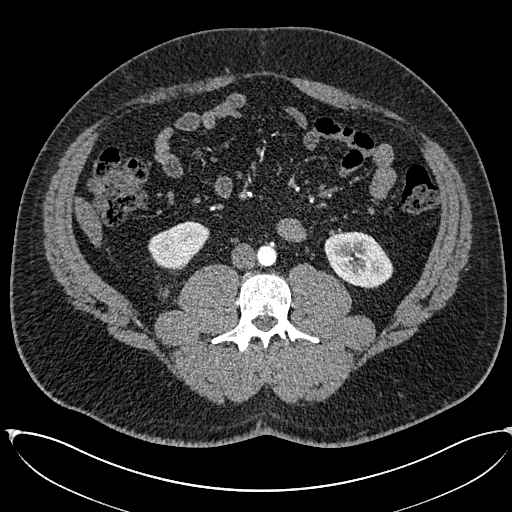
One axial slice (259 of 673, counting up from the lowest) of an arterial-phase abdominal CT acquired with 120 kVp, kernel I30f; each pixel is 0.855 mm and the slice is 1.00 mm thick.
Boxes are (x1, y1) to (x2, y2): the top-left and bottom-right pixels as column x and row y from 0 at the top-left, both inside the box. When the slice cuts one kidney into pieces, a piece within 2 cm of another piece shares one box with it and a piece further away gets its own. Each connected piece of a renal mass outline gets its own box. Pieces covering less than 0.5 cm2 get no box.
Boxed on this slice (two kidney boxes), listed by box centre from the image's left to its right: (1) Right kidney, box (147, 221) to (209, 270) (outlined area 2,091 px, about 15.3 cm2). (2) Left kidney, box (324, 231) to (393, 289) (outlined area 2,917 px, about 21.3 cm2).